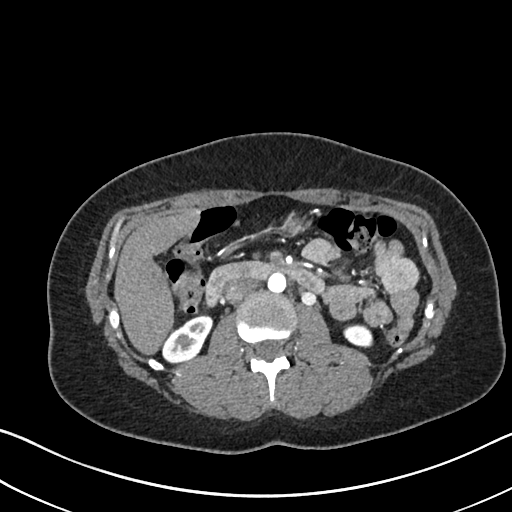
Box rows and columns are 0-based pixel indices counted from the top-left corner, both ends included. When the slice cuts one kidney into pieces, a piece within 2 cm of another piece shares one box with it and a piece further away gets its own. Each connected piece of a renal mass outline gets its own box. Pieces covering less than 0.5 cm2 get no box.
This is axial slice 377 of 612 (slice 1 is the lowest) of an arterial-phase abdominal CT with contrast; each pixel is 0.703 mm and the slice is 1.00 mm thick. Two kidney boxes on this slice; by box centre, from the image's left to its right: (1) Right kidney at rows 314–363, columns 162–213 (outlined area 1,572 px, about 7.8 cm2). (2) Left kidney at rows 324–347, columns 343–373 (outlined area 583 px, about 2.9 cm2). No renal mass is outlined on this slice.
Tube voltage 120 kVp; convolution kernel I30f.